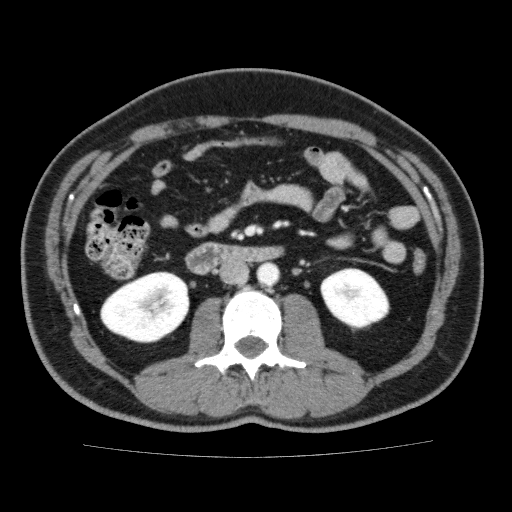
Contrast-enhanced abdominal CT, axial slice 93 of 159 (counted from the lowest slice); tube voltage 120 kVp, convolution kernel FC13; slices 3.00 mm thick, 0.668 mm per pixel.
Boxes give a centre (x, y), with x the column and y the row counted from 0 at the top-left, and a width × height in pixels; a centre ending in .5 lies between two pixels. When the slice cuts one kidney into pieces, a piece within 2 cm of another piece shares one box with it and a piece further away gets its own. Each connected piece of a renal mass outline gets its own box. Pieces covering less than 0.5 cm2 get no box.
Two kidney boxes on this slice; by box centre, from the image's left to its right: (1) Box centre (144.5, 307), 90 × 73 pixels: right kidney (outlined area 4,836 px, about 21.6 cm2). (2) Left kidney in a box with centre (355, 297.5), 71 × 62 pixels (outlined area 3,141 px, about 14.0 cm2). No renal mass is outlined on this slice.